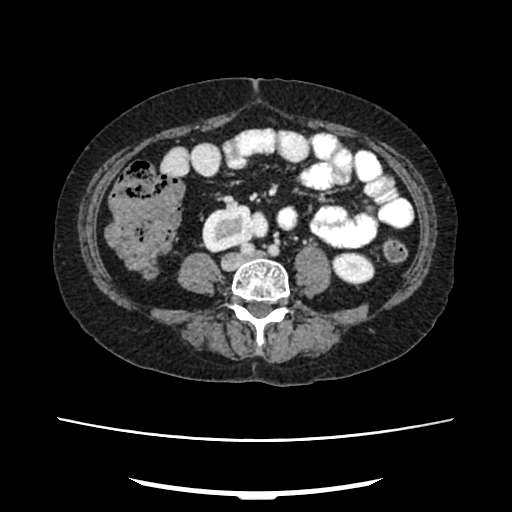
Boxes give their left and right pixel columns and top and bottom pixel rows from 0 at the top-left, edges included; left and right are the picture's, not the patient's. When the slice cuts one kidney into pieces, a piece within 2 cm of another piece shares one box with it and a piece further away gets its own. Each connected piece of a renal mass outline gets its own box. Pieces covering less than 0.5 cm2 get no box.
Slice 102/207 of a contrast-enhanced abdominal CT in the arterial phase, counting up from the lowest; pixel size 0.741 mm, slice thickness 2.00 mm. Two kidney boxes on this slice; by box centre, from the image's left to its right: (1) Right kidney, the box with left 202, top 205, right 268, bottom 252 (outlined area 2,282 px, about 12.5 cm2). (2) Left kidney, the box with left 331, top 252, right 374, bottom 286 (outlined area 1,121 px, about 6.2 cm2). This slice carries no renal mass outline.
Scan settings: 120 kVp, FC18 reconstruction kernel.